Arterial-phase contrast-enhanced abdominal CT, axial slice 161 of 316 (counted from the lowest slice); tube voltage 100 kVp, convolution kernel I40f; slices 2.00 mm thick, 0.840 mm per pixel.
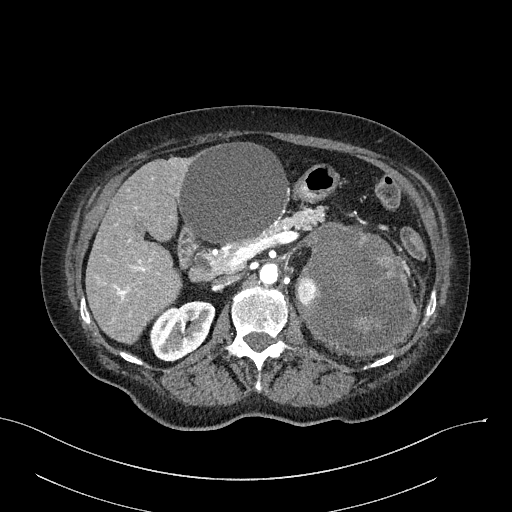
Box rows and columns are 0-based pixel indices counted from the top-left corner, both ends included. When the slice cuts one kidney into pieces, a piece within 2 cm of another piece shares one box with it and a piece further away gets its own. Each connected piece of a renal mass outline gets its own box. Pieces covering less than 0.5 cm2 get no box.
Boxed on this slice (two kidney boxes and one renal mass box), listed by box centre from the image's left to its right: (1) Box rows 300–361, columns 150–215: right kidney (outlined area 2,837 px, about 20.0 cm2). (2) Left kidney, box rows 275–304, columns 295–315 (outlined area 458 px, about 3.2 cm2). (3) Left renal mass, box rows 222–356, columns 296–417 (outlined area 11,840 px, about 83.5 cm2).